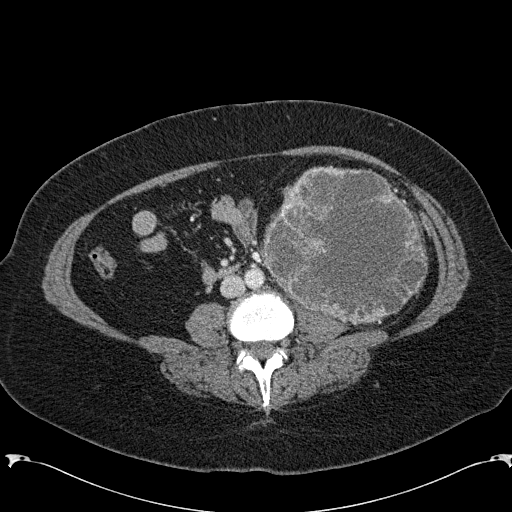
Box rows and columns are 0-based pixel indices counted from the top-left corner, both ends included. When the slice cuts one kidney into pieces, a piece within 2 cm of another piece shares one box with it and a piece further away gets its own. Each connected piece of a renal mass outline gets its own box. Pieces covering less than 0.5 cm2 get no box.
Slice 71/285 of a contrast-enhanced abdominal CT in the arterial phase, counting up from the lowest; pixel size 0.762 mm, slice thickness 2.00 mm. Left renal mass, box rows 165–325, columns 262–427 (outlined area 19,863 px, about 115.2 cm2); this slice has no kidney outline, though on another slice the same outlined renal mass lies within 1 cm of the kidney.
Tube voltage 120 kVp; convolution kernel B31f.